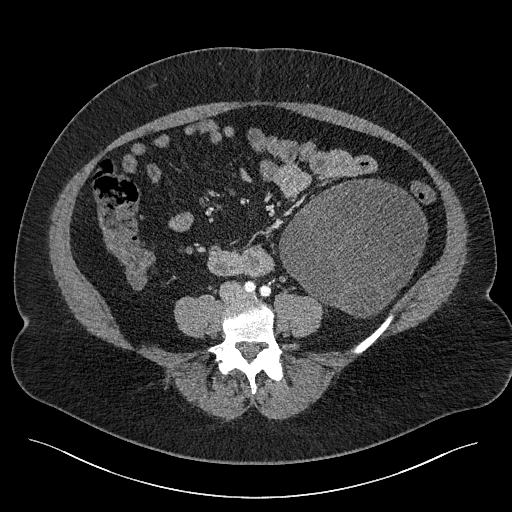
One axial slice (63 of 301, counting up from the lowest) of a contrast-enhanced abdominal CT acquired with 120 kVp, kernel I40f; each pixel is 0.859 mm and the slice is 2.00 mm thick.
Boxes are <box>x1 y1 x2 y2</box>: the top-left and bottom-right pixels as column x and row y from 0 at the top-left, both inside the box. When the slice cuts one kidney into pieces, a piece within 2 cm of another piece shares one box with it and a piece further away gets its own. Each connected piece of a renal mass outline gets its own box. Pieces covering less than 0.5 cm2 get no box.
Left renal mass: <box>279 178 427 318</box> (outlined area 14,826 px, about 109.5 cm2); this slice has no kidney outline, though on another slice the same outlined renal mass lies within 1 cm of the kidney.